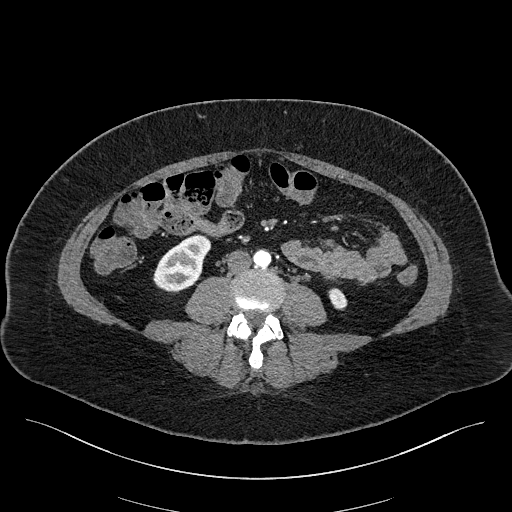
One axial slice (54 of 270, counting up from the lowest) of an arterial-phase abdominal CT acquired with 100 kVp, kernel I40f; each pixel is 0.855 mm and the slice is 2.00 mm thick.
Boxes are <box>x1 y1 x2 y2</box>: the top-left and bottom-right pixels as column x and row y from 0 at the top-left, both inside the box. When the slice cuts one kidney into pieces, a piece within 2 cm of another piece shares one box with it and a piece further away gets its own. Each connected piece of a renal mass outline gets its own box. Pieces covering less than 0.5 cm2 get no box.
Two boxes on this slice (two kidney boxes), listed by box centre from the image's left to its right. (1) At <box>153 234 211 292</box>: right kidney (outlined area 2,216 px, about 16.2 cm2). (2) Left kidney at <box>328 288 347 310</box> (outlined area 316 px, about 2.3 cm2). No renal mass is outlined on this slice.